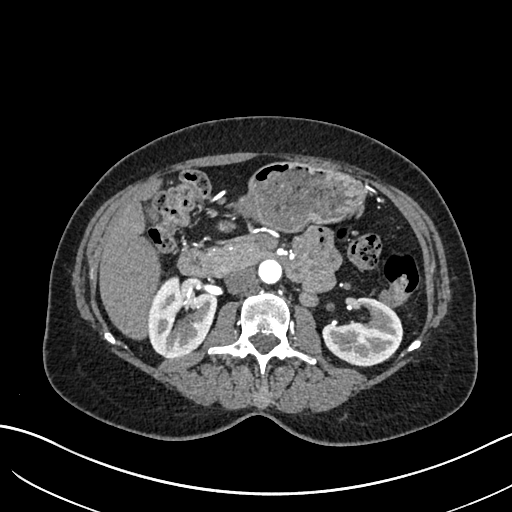
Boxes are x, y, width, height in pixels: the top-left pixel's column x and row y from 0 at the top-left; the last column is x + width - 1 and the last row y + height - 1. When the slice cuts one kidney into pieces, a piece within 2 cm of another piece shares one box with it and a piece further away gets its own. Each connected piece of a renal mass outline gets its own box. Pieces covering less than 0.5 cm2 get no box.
This is axial slice 373 of 683 (slice 1 is the lowest) of an arterial-phase abdominal CT with contrast; each pixel is 0.738 mm and the slice is 1.00 mm thick. Two kidney boxes on this slice; by box centre, from the image's left to its right: (1) Box x 147, y 276, width 71, height 83: right kidney (outlined area 4,265 px, about 23.2 cm2). (2) Left kidney, box x 323, y 296, width 80, height 71 (outlined area 3,698 px, about 20.2 cm2). This slice carries no renal mass outline.
Tube voltage 120 kVp; convolution kernel I30f.